Arterial-phase contrast-enhanced abdominal CT, axial slice 383 of 527 (counted from the lowest slice); tube voltage 120 kVp, convolution kernel I30f; slices 1.00 mm thick, 0.859 mm per pixel.
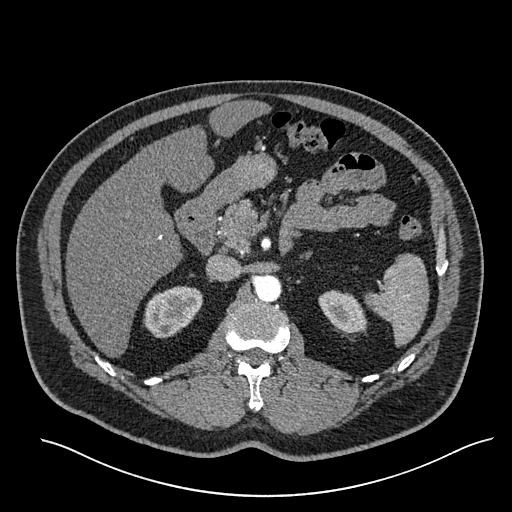
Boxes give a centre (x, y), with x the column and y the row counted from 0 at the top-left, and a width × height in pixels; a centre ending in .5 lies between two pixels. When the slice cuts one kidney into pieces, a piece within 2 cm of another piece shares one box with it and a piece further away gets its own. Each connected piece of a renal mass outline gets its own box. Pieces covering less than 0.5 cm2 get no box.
Boxed on this slice (two kidney boxes), listed by box centre from the image's left to its right: (1) Box centre (172.5, 312), 60 × 53 pixels: right kidney (outlined area 2,259 px, about 16.7 cm2). (2) Left kidney, box centre (342, 311), 49 × 43 pixels (outlined area 1,497 px, about 11.1 cm2). This slice carries no renal mass outline.